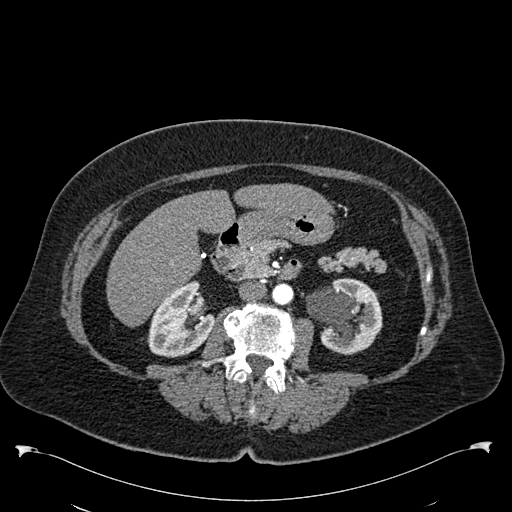
Axial slice 310 of 538 of a contrast-enhanced abdominal CT in the arterial phase (slice 1 is the lowest), 120 kVp, kernel B30f; 1.00 mm slice thickness and 0.811 mm pixels.
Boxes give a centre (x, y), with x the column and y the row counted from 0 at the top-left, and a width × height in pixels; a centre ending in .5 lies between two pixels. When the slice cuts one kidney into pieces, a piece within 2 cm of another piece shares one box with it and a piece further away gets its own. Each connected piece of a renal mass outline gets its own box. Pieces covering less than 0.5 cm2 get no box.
Two boxes on this slice (two kidney boxes), listed by box centre from the image's left to its right. (1) Right kidney in a box with centre (180, 318.5), 67 × 78 pixels (outlined area 3,569 px, about 23.4 cm2). (2) Left kidney, box centre (343.5, 316), 78 × 77 pixels (outlined area 4,209 px, about 27.7 cm2). No renal mass is outlined on this slice.